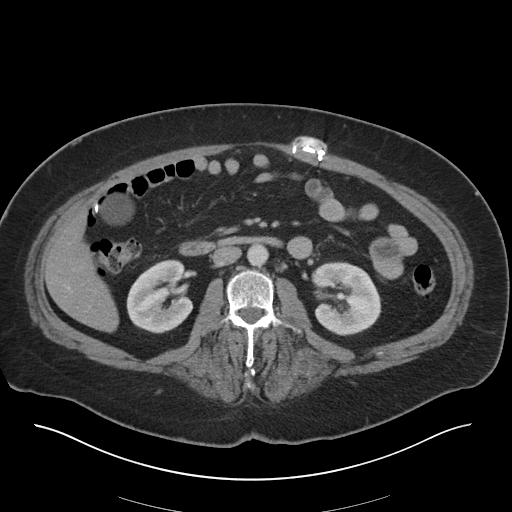
Axial slice 14 of 36 of a contrast-enhanced abdominal CT in the arterial phase (slice 1 is the lowest), 140 kVp, kernel I30f; 5.00 mm slice thickness and 0.906 mm pixels.
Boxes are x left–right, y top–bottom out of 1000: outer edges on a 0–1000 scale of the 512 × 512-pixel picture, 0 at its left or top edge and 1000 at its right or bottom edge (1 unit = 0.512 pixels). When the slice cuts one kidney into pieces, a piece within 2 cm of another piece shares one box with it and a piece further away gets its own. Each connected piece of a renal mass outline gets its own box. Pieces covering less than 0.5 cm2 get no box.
Boxed on this slice (two kidney boxes), listed by box centre from the image's left to its right: (1) Right kidney at x 246–379, y 506–652 out of 1000 (outlined area 3,694 px, about 30.3 cm2). (2) Left kidney at x 605–746, y 510–656 out of 1000 (outlined area 4,070 px, about 33.4 cm2). No renal mass is outlined on this slice.